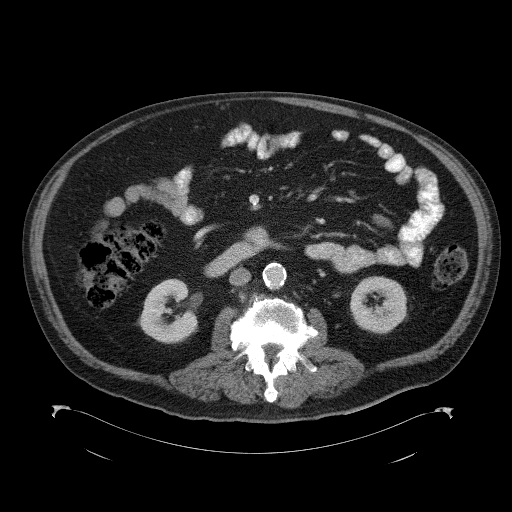
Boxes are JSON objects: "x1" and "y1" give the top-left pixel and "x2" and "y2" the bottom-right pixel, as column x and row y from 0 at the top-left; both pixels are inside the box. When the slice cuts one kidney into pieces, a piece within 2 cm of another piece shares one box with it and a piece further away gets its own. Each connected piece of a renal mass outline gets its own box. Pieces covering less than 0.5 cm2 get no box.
Contrast-enhanced abdominal CT, axial slice 52 of 98 (counted from the lowest slice); 5.00 mm thick, 0.965 mm per pixel. Boxed on this slice (two kidney boxes), listed by box centre from the image's left to its right: (1) Right kidney at {"x1": 138, "y1": 278, "x2": 197, "y2": 343} (outlined area 2,779 px, about 25.9 cm2). (2) Left kidney at {"x1": 350, "y1": 276, "x2": 407, "y2": 334} (outlined area 2,586 px, about 24.1 cm2). No renal mass is outlined on this slice.
Acquired at 120 kVp and reconstructed with the B41f kernel.